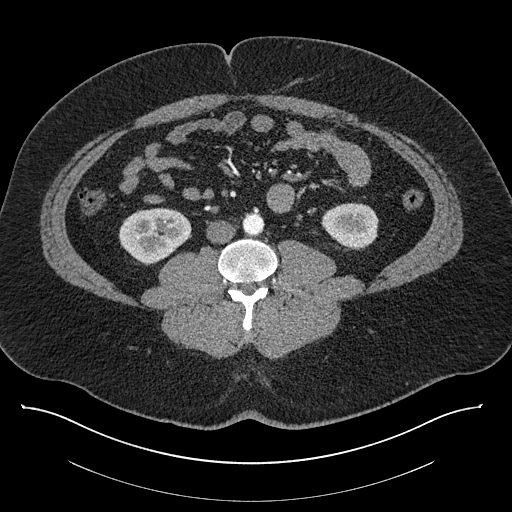
Abdominal CT with intravenous contrast, axial plane, 140 kVp, kernel I30f. Slice 378/787 from the bottom of the scan; thickness 1.00 mm; pixel size 0.910 mm.
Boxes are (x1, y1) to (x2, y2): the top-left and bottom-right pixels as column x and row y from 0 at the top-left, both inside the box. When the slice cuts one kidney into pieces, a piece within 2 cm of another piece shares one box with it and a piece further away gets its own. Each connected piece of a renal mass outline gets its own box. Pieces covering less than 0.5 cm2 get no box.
Two boxes on this slice (two kidney boxes), listed by box centre from the image's left to its right. (1) Right kidney, box (118, 207) to (191, 265) (outlined area 3,073 px, about 25.5 cm2). (2) Left kidney, box (321, 202) to (378, 249) (outlined area 2,067 px, about 17.1 cm2). This slice carries no renal mass outline.